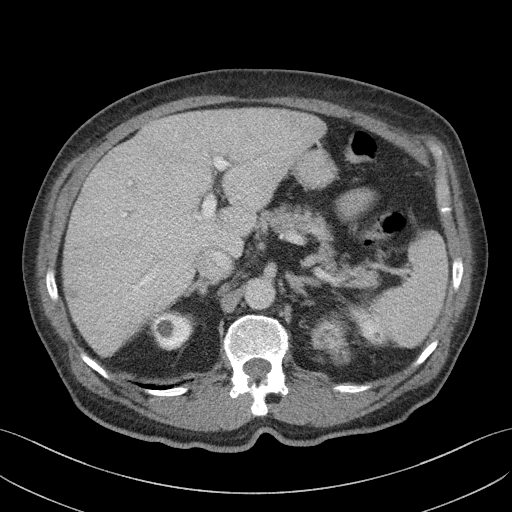
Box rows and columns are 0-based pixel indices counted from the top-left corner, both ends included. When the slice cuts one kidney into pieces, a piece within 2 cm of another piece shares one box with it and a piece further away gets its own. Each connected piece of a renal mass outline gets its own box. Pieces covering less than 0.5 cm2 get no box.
Slice 81/103 of a contrast-enhanced abdominal CT, counting up from the lowest; pixel size 0.742 mm, slice thickness 4.00 mm. Two kidney boxes and one renal mass box on this slice; by box centre, from the image's left to its right: (1) Right kidney at rows 311–350, columns 150–192 (outlined area 1,235 px, about 6.8 cm2). (2) Left renal mass, box rows 317–365, columns 312–350 (outlined area 1,368 px, about 7.5 cm2). (3) Left kidney, box rows 304–344, columns 349–384 (outlined area 782 px, about 4.3 cm2).
Acquired at 100 kVp and reconstructed with the I41f kernel.